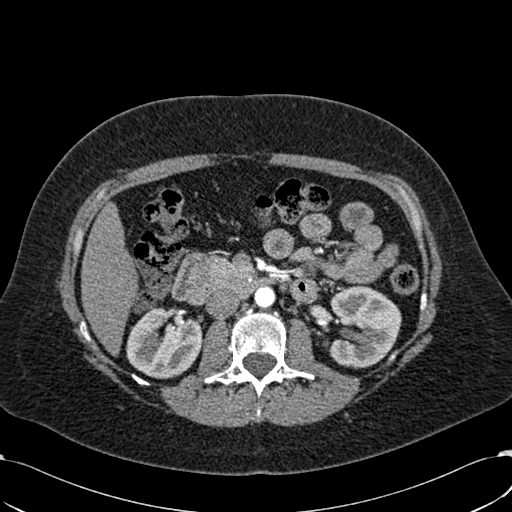
Abdominal CT with intravenous contrast, arterial phase, axial plane, 120 kVp, kernel B30f. Slice 355/532 from the bottom of the scan; thickness 1.00 mm; pixel size 0.713 mm.
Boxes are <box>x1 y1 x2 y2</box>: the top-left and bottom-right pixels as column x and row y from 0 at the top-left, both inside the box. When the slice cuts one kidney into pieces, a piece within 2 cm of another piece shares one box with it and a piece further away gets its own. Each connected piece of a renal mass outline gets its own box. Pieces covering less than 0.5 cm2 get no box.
Boxed on this slice (two kidney boxes), listed by box centre from the image's left to its right: (1) Right kidney at <box>126 307 202 378</box> (outlined area 4,130 px, about 21.0 cm2). (2) At <box>328 284 401 368</box>: left kidney (outlined area 4,623 px, about 23.5 cm2). No renal mass outline on this slice.